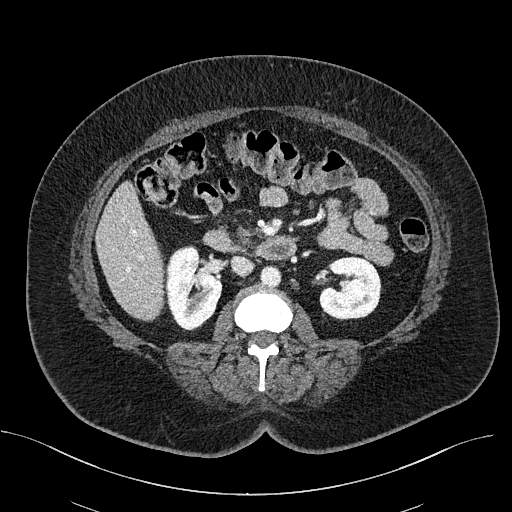
Axial slice 291 of 470 of a contrast-enhanced abdominal CT (slice 1 is the lowest), 100 kVp, kernel I40f; 2.00 mm slice thickness and 0.824 mm pixels.
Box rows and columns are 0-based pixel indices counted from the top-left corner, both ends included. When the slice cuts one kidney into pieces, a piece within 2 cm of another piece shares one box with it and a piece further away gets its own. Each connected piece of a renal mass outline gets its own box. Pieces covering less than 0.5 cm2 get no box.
Two boxes on this slice (two kidney boxes), listed by box centre from the image's left to its right. (1) Box rows 245–330, columns 164–222: right kidney (outlined area 3,619 px, about 24.6 cm2). (2) Left kidney at rows 256–320, columns 319–381 (outlined area 3,153 px, about 21.4 cm2). No renal mass outline on this slice.